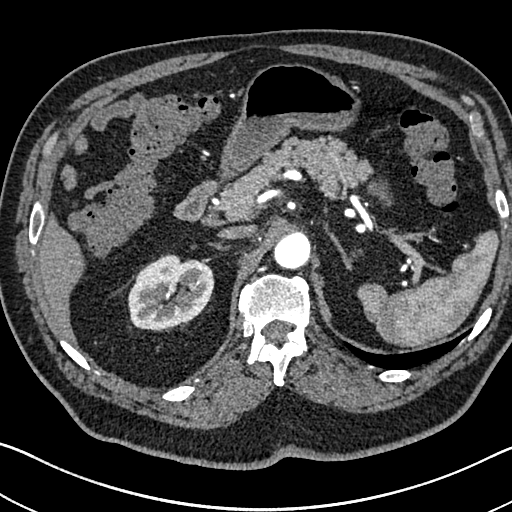
One axial slice (511 of 705, counting up from the lowest) of an arterial-phase abdominal CT acquired with 120 kVp, kernel I30f; each pixel is 0.703 mm and the slice is 1.00 mm thick.
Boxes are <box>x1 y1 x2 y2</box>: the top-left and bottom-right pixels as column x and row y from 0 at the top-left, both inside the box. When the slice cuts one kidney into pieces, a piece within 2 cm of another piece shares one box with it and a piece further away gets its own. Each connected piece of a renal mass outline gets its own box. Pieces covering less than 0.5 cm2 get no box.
Right kidney at <box>127 254 214 331</box> (outlined area 5,056 px, about 25.0 cm2). No renal mass is outlined on this slice.